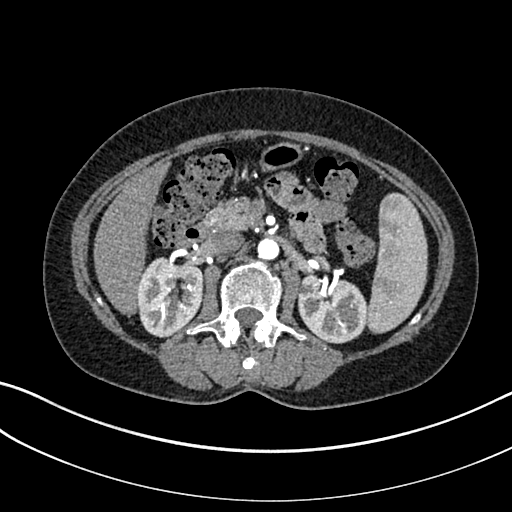
Axial slice 173 of 325 of a contrast-enhanced abdominal CT in the arterial phase (slice 1 is the lowest), 100 kVp, kernel I30f; 1.00 mm slice thickness and 0.703 mm pixels.
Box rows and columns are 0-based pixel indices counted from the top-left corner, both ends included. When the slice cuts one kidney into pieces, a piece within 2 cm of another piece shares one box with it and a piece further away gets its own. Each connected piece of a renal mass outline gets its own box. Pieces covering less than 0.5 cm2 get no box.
Boxed on this slice (two kidney boxes), listed by box centre from the image's left to its right: (1) Box rows 256–337, columns 136–203: right kidney (outlined area 4,185 px, about 20.7 cm2). (2) Left kidney at rows 274–343, columns 297–366 (outlined area 3,818 px, about 18.9 cm2). No renal mass is outlined on this slice.